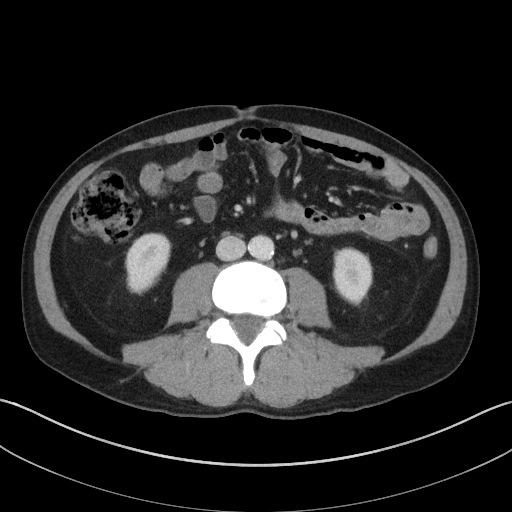
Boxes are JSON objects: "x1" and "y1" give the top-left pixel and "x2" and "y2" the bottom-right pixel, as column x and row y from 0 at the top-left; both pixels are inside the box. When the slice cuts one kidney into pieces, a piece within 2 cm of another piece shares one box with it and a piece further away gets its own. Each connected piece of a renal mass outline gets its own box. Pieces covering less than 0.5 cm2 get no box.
Contrast-enhanced abdominal CT, axial slice 51 of 143 (counted from the lowest slice); 5.00 mm thick, 0.734 mm per pixel. Two kidney boxes on this slice; by box centre, from the image's left to its right: (1) Right kidney, box {"x1": 125, "y1": 232, "x2": 171, "y2": 294} (outlined area 2,155 px, about 11.6 cm2). (2) Box {"x1": 332, "y1": 247, "x2": 372, "y2": 305}: left kidney (outlined area 1,888 px, about 10.2 cm2). No renal mass is outlined on this slice.
Scan settings: 100 kVp, I41f reconstruction kernel.